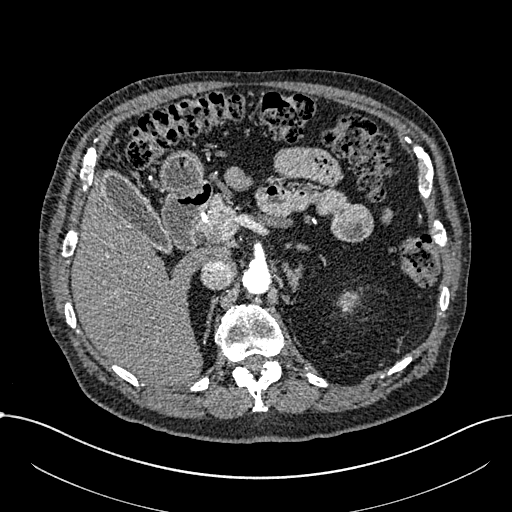
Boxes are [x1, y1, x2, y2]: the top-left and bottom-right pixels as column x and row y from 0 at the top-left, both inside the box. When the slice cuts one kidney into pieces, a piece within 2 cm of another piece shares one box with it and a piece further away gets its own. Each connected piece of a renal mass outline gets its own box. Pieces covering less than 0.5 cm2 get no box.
This is axial slice 472 of 1059 (slice 1 is the lowest) of an arterial-phase abdominal CT with contrast; each pixel is 0.811 mm and the slice is 1.00 mm thick. Left part of the midline-crossing kidney, box [339, 294, 354, 309] (outlined area 193 px, about 1.3 cm2). No renal mass is outlined on this slice.
Scan settings: 100 kVp, I30f reconstruction kernel.